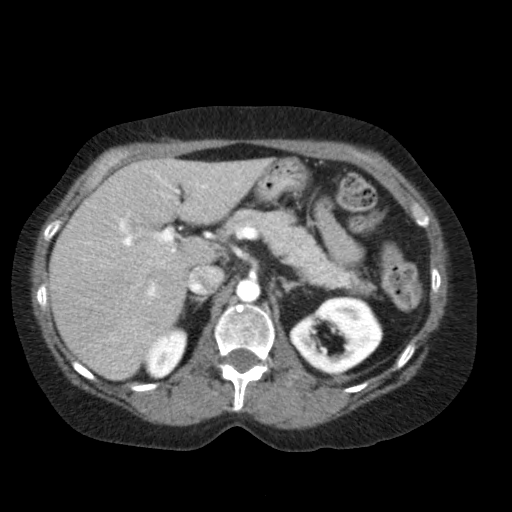
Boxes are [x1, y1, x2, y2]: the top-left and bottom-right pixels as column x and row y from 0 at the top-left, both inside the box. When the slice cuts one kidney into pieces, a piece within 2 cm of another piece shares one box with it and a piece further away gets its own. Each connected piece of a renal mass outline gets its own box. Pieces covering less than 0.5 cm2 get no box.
Arterial-phase contrast-enhanced abdominal CT, axial slice 64 of 79 (counted from the lowest slice); 5.00 mm thick, 0.686 mm per pixel. Two kidney boxes on this slice; by box centre, from the image's left to its right: (1) Right kidney, box [143, 326, 187, 378] (outlined area 1,583 px, about 7.4 cm2). (2) Box [289, 296, 383, 375]: left kidney (outlined area 4,811 px, about 22.6 cm2). This slice carries no renal mass outline.
Acquired at 120 kVp and reconstructed with the FC11 kernel.